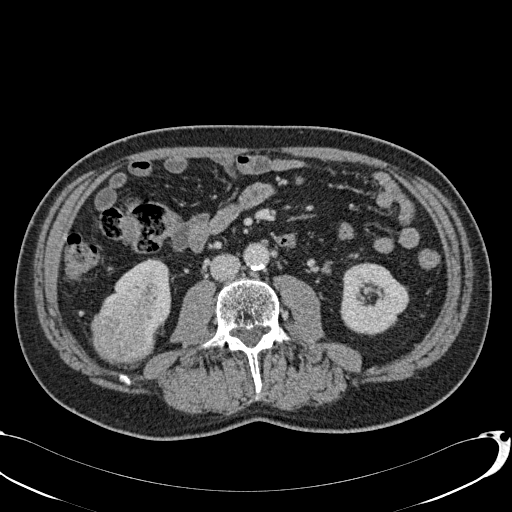
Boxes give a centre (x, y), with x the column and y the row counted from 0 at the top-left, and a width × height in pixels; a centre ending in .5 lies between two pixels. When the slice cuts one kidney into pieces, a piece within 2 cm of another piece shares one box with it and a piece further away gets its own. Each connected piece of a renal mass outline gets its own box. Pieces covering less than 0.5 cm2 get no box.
Slice 22/113 of a contrast-enhanced abdominal CT, counting up from the lowest; pixel size 0.742 mm, slice thickness 2.00 mm. Two kidney boxes and one renal mass box on this slice; by box centre, from the image's left to its right: (1) Box centre (123.5, 332.5), 68 × 66 pixels: right renal mass (outlined area 3,288 px, about 18.1 cm2). (2) Right kidney in a box with centre (132, 295), 79 × 75 pixels (outlined area 2,706 px, about 14.9 cm2). (3) Box centre (374.5, 298.5), 70 × 74 pixels: left kidney (outlined area 3,814 px, about 21.0 cm2).
Acquired at 120 kVp and reconstructed with the B31f kernel.